Arterial-phase contrast-enhanced abdominal CT, axial slice 128 of 262 (counted from the lowest slice); tube voltage 120 kVp, convolution kernel STANDARD; slices 2.50 mm thick, 0.703 mm per pixel.
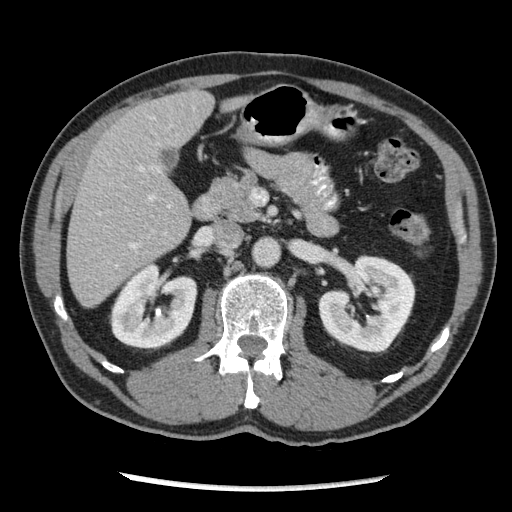
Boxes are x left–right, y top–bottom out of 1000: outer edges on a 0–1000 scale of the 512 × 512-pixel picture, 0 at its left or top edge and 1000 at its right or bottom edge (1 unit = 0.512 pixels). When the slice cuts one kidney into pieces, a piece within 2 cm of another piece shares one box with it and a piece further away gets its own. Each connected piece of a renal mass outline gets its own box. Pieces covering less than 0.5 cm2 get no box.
Two boxes on this slice (two kidney boxes), listed by box centre from the image's left to its right. (1) Right kidney, box x 211–387, y 514–686 out of 1000 (outlined area 5,545 px, about 27.4 cm2). (2) Box x 621–813, y 496–691 out of 1000: left kidney (outlined area 6,553 px, about 32.4 cm2). This slice carries no renal mass outline.